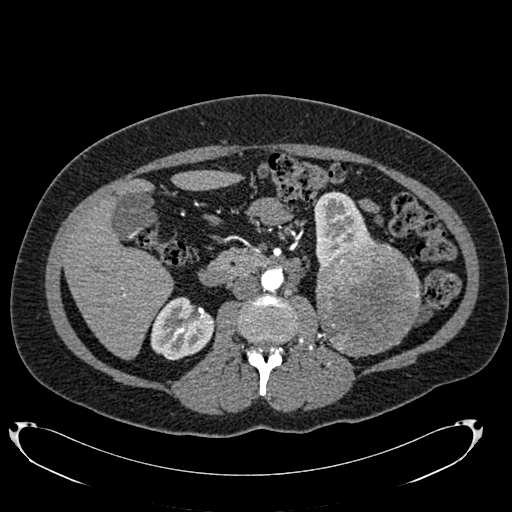
Abdominal CT with intravenous contrast, arterial phase, axial plane, 120 kVp, kernel B20f. Slice 403/634 from the bottom of the scan; thickness 1.00 mm; pixel size 0.838 mm.
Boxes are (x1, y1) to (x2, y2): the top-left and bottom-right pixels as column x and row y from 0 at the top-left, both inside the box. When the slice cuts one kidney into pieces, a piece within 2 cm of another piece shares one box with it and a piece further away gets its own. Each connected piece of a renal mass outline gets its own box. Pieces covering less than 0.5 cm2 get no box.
Three boxes on this slice (two kidney boxes and one renal mass box), listed by box centre from the image's left to its right. (1) Right kidney, box (150, 297) to (214, 360) (outlined area 2,983 px, about 20.9 cm2). (2) Left kidney, box (314, 191) to (375, 272) (outlined area 2,977 px, about 20.9 cm2). (3) Left renal mass from (315, 243) to (422, 357) (outlined area 9,522 px, about 66.9 cm2).